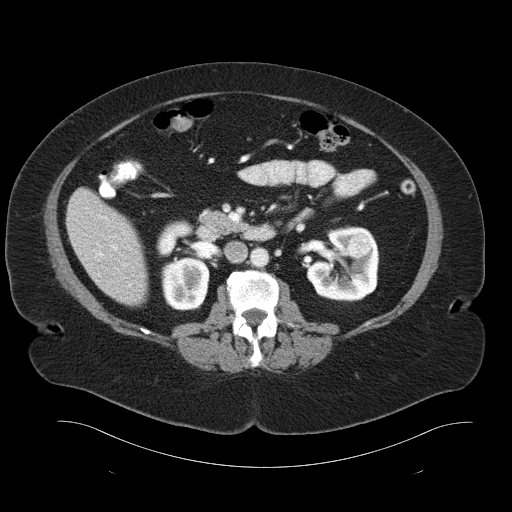
Abdominal CT with intravenous contrast, axial plane, 120 kVp, kernel B30f. Slice 57/93 from the bottom of the scan; thickness 5.00 mm; pixel size 0.938 mm.
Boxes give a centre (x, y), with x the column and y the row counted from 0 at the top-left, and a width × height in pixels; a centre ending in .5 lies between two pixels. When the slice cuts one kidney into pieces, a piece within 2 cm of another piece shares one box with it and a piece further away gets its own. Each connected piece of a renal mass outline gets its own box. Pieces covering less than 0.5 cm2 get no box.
Boxed on this slice (two kidney boxes and one renal mass box), listed by box centre from the image's left to its right: (1) Box centre (182.5, 265), 54 × 91 pixels: right kidney (outlined area 3,012 px, about 26.5 cm2). (2) Left kidney in a box with centre (342.5, 263), 74 × 77 pixels (outlined area 3,853 px, about 33.9 cm2). (3) Left renal mass in a box with centre (360, 245), 25 × 25 pixels (outlined area 478 px, about 4.2 cm2).